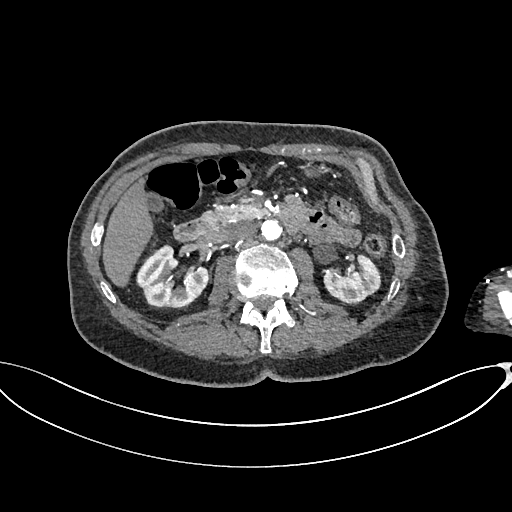
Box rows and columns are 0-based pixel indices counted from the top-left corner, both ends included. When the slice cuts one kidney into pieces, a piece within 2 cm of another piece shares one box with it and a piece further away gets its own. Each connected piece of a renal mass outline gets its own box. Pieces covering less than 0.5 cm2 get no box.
Slice 394/665 of a contrast-enhanced abdominal CT in the arterial phase, counting up from the lowest; pixel size 0.828 mm, slice thickness 1.00 mm. Two kidney boxes on this slice; by box centre, from the image's left to its right: (1) Right kidney, box rows 244–308, columns 136–208 (outlined area 3,089 px, about 21.2 cm2). (2) Box rows 253–304, columns 323–381: left kidney (outlined area 2,016 px, about 13.8 cm2). No renal mass is outlined on this slice.
Tube voltage 100 kVp; convolution kernel I26f.